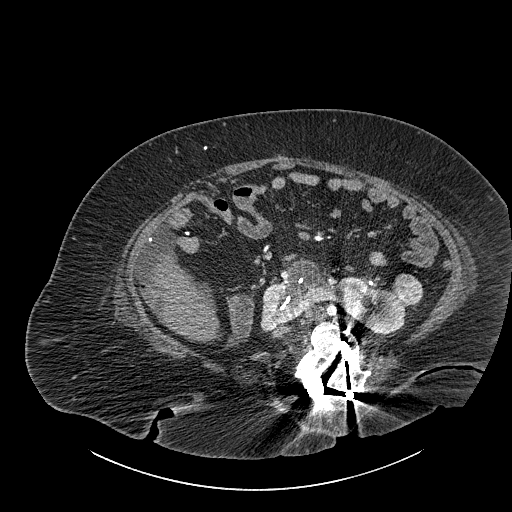
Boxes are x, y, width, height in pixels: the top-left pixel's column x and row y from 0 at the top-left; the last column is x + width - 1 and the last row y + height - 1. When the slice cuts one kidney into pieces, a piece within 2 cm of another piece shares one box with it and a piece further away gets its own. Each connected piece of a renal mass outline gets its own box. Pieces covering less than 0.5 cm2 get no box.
Slice 484/834 of a contrast-enhanced abdominal CT, counting up from the lowest; pixel size 0.977 mm, slice thickness 1.00 mm. One kidney box and one renal mass box on this slice; by box centre, from the image's left to its right: (1) Kidney crossing the body midline, box x 260, y 259, width 146, height 76 (outlined area 5,803 px, about 55.3 cm2). (2) Renal mass at x 392, y 273, width 31, height 33 (outlined area 786 px, about 7.5 cm2).
Acquired at 140 kVp and reconstructed with the I30f kernel.